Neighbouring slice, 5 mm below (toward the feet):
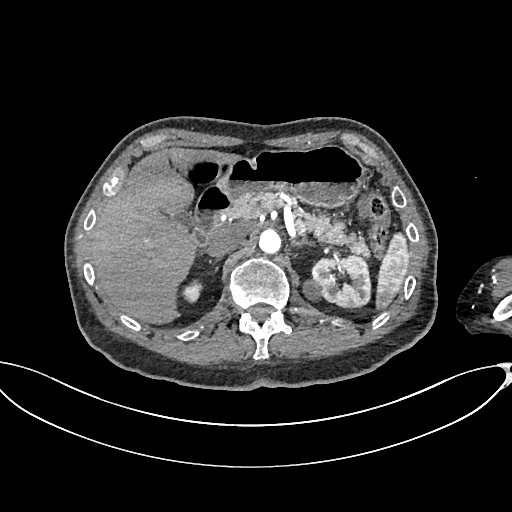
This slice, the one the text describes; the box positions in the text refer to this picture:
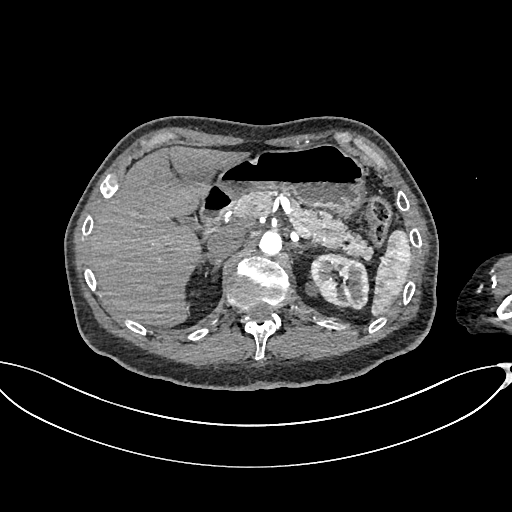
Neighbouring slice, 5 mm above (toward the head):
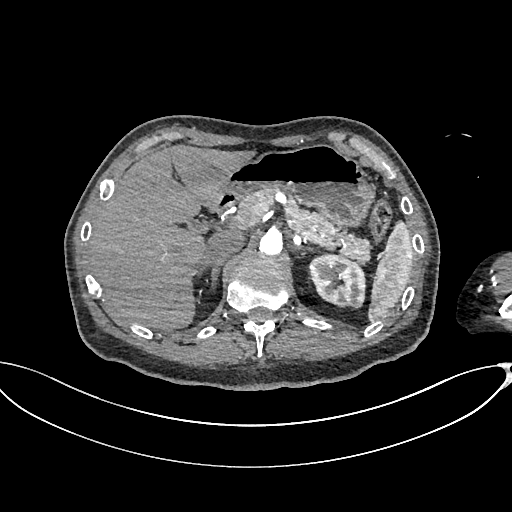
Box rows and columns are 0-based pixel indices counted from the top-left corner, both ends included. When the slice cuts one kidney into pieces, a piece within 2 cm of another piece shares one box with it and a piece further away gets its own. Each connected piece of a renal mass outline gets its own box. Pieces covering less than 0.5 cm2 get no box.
This is axial slice 469 of 665 (slice 1 is the lowest) of an arterial-phase abdominal CT with contrast; each pixel is 0.828 mm and the slice is 1.00 mm thick. Two boxes on this slice (one kidney box and one renal mass box), listed by box centre from the image's left to its right. (1) Left renal mass at rows 281–296, columns 305–319 (outlined area 165 px, about 1.1 cm2). (2) Box rows 253–308, columns 310–368: left kidney (outlined area 2,489 px, about 17.1 cm2). This slice lies near the end of the left renal mass toward the head; the slices 5 mm below and 5 mm above it are shown too, and the boxes mark positions on this slice only.
Tube voltage 100 kVp; convolution kernel I26f.